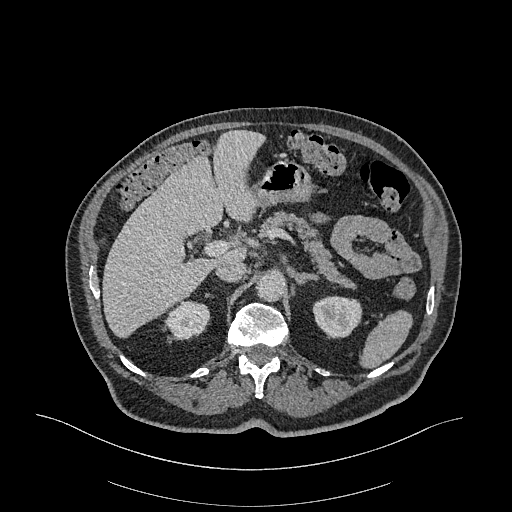
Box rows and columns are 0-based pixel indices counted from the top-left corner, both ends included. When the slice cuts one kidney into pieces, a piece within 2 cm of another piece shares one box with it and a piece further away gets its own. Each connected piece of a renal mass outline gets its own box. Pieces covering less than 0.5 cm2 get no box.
This is axial slice 235 of 470 (slice 1 is the lowest) of an arterial-phase abdominal CT with contrast; each pixel is 0.938 mm and the slice is 1.00 mm thick. Boxed on this slice (two kidney boxes), listed by box centre from the image's left to its right: (1) Right kidney, box rows 300–340, columns 165–210 (outlined area 1,365 px, about 12.0 cm2). (2) Box rows 295–338, columns 312–362: left kidney (outlined area 1,689 px, about 14.8 cm2). No renal mass is outlined on this slice.
Tube voltage 120 kVp; convolution kernel I26f.